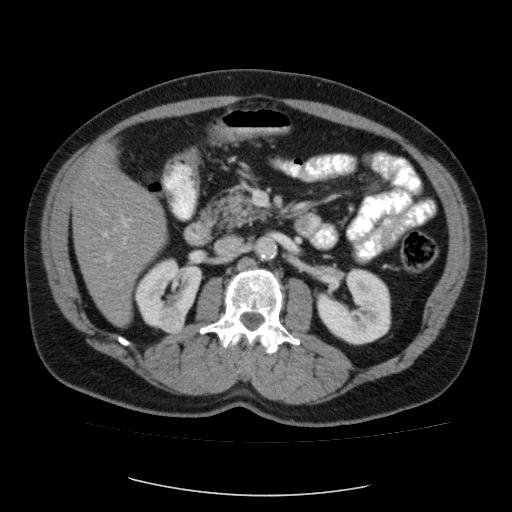
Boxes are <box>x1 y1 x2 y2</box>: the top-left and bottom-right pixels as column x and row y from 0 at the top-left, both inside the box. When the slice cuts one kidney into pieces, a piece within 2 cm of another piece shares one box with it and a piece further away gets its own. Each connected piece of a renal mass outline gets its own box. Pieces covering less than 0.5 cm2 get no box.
This is axial slice 55 of 87 (slice 1 is the lowest) of an abdominal CT with contrast; each pixel is 0.812 mm and the slice is 5.00 mm thick. Boxed on this slice (two kidney boxes and one renal mass box), listed by box centre from the image's left to its right: (1) Right kidney: <box>134 259 201 327</box> (outlined area 2,859 px, about 18.9 cm2). (2) Right renal mass at <box>158 307 184 332</box> (outlined area 575 px, about 3.8 cm2). (3) Left kidney at <box>316 269 391 345</box> (outlined area 4,068 px, about 26.8 cm2).
Acquired at 120 kVp and reconstructed with the FC12 kernel.